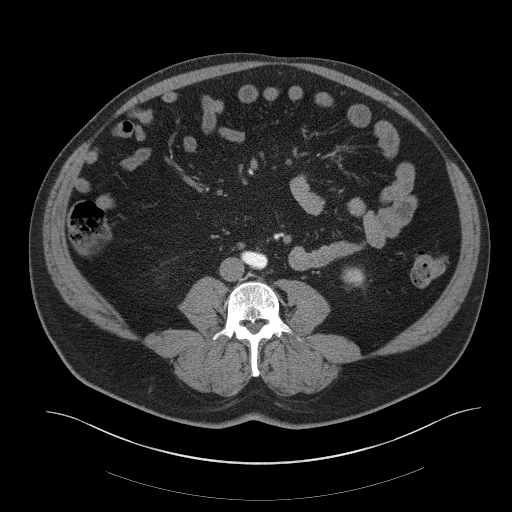
One axial slice (6 of 61, counting up from the lowest) of a contrast-enhanced abdominal CT acquired with 140 kVp, kernel B41f; each pixel is 0.939 mm and the slice is 3.00 mm thick.
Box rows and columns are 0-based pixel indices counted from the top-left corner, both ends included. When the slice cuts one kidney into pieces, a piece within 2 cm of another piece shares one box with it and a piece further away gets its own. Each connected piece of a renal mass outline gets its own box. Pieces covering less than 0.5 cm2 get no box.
Box rows 267–286, columns 341–364: left kidney (outlined area 370 px, about 3.3 cm2). No renal mass is outlined on this slice.